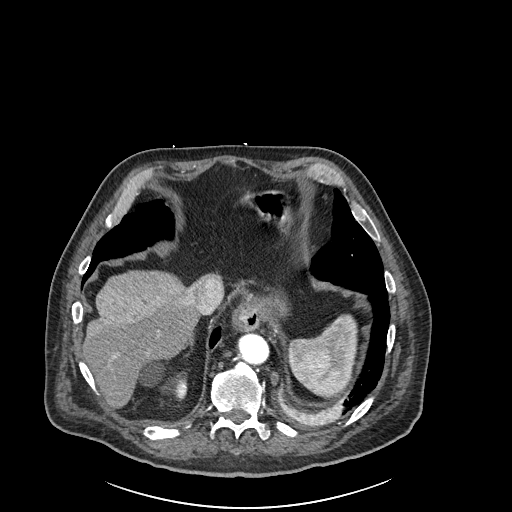
Arterial-phase contrast-enhanced abdominal CT, axial slice 211 of 261 (counted from the lowest slice); tube voltage 120 kVp, convolution kernel I30f; slices 2.00 mm thick, 0.939 mm per pixel.
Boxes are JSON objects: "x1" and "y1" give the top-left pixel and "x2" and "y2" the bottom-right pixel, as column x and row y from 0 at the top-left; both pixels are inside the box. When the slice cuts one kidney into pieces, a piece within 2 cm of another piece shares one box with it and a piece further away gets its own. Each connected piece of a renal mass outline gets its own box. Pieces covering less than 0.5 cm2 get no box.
Right kidney, box {"x1": 138, "y1": 362, "x2": 187, "y2": 398} (outlined area 857 px, about 7.6 cm2). No renal mass outline on this slice.